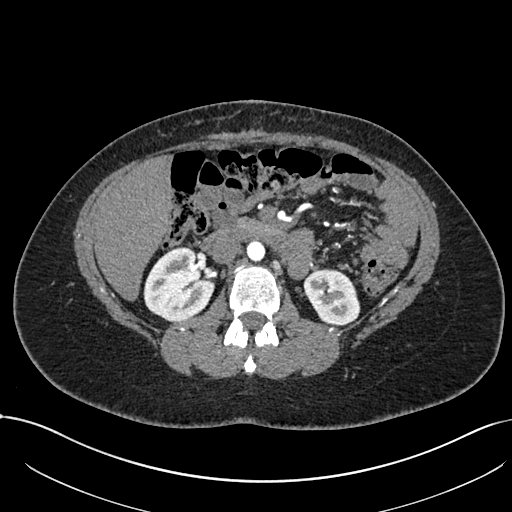
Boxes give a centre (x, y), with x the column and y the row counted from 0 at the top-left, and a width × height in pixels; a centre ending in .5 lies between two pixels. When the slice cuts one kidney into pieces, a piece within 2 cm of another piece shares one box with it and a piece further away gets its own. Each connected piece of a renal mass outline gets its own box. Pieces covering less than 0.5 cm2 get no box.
Arterial-phase contrast-enhanced abdominal CT, axial slice 417 of 738 (counted from the lowest slice); 1.00 mm thick, 0.789 mm per pixel. Two boxes on this slice (two kidney boxes), listed by box centre from the image's left to its right. (1) Box centre (178.5, 283.5), 72 × 76 pixels: right kidney (outlined area 3,987 px, about 24.8 cm2). (2) Box centre (331, 296.5), 57 × 58 pixels: left kidney (outlined area 2,435 px, about 15.2 cm2). No renal mass is outlined on this slice.
Acquired at 120 kVp and reconstructed with the I30f kernel.